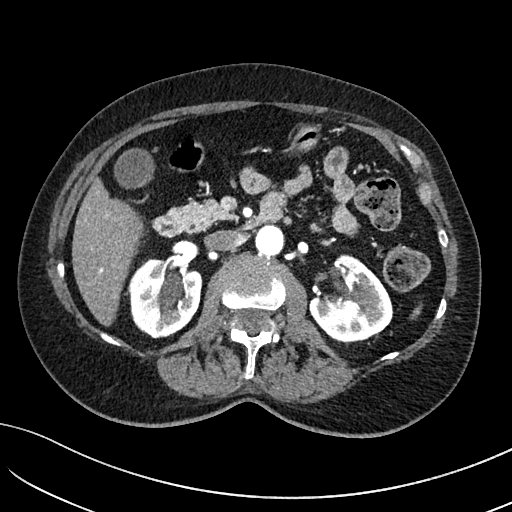
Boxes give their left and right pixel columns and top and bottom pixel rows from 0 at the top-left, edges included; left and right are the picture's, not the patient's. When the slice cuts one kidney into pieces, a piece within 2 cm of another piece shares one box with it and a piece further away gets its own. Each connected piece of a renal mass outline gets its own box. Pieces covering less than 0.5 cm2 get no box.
Slice 71/234 of a contrast-enhanced abdominal CT in the arterial phase, counting up from the lowest; pixel size 0.699 mm, slice thickness 2.00 mm. Two boxes on this slice (two kidney boxes), listed by box centre from the image's left to its right. (1) Right kidney in the box with left 127, top 258, right 202, bottom 338 (outlined area 4,630 px, about 22.6 cm2). (2) Left kidney, the box with left 308, top 254, right 391, bottom 341 (outlined area 4,992 px, about 24.4 cm2). No renal mass outline on this slice.
Acquired at 100 kVp and reconstructed with the I40f kernel.